Arterial-phase contrast-enhanced abdominal CT, axial slice 148 of 470 (counted from the lowest slice); tube voltage 120 kVp, convolution kernel I26f; slices 1.00 mm thick, 0.938 mm per pixel.
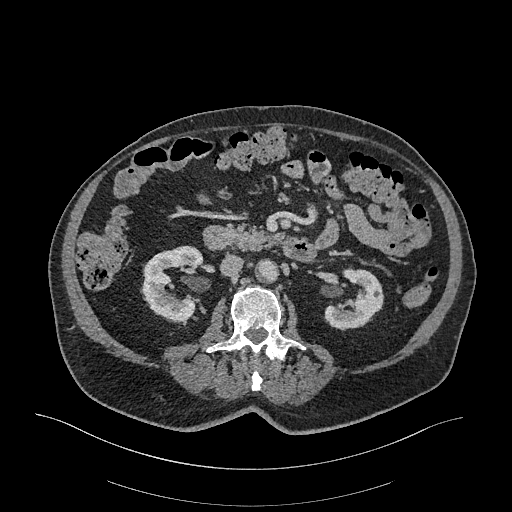
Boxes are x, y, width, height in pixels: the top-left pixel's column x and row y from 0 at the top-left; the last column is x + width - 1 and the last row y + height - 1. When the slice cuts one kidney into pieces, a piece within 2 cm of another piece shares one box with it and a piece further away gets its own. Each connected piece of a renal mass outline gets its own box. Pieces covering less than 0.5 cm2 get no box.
Boxed on this slice (two kidney boxes), listed by box centre from the image's left to its right: (1) Right kidney at x 140, y 245, width 64, height 78 (outlined area 3,295 px, about 29.0 cm2). (2) Left kidney at x 324, y 267, width 60, height 64 (outlined area 2,411 px, about 21.2 cm2). No renal mass is outlined on this slice.